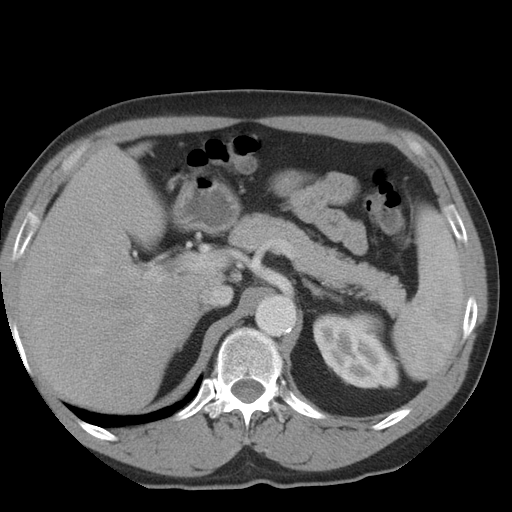
One axial slice (27 of 36, counting up from the lowest) of an arterial-phase abdominal CT acquired with 140 kVp, kernel STANDARD; each pixel is 0.703 mm and the slice is 5.00 mm thick.
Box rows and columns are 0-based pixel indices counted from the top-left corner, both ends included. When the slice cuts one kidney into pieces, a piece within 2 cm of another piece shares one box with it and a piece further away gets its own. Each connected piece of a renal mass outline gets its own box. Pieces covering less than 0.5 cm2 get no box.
Left kidney at rows 313–388, columns 313–398 (outlined area 4,293 px, about 21.2 cm2). No renal mass outline on this slice.